One axial slice (82 of 301, counting up from the lowest) of a contrast-enhanced abdominal CT acquired with 120 kVp, kernel I40f; each pixel is 0.859 mm and the slice is 2.00 mm thick.
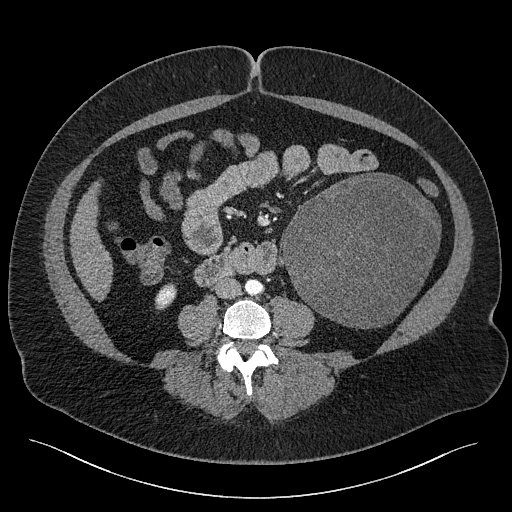
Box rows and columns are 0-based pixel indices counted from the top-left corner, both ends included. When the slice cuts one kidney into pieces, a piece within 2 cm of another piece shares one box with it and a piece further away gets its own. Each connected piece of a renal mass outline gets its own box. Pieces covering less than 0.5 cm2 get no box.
Two boxes on this slice (one kidney box and one renal mass box), listed by box centre from the image's left to its right. (1) Box rows 283–309, columns 155–176: right kidney (outlined area 417 px, about 3.1 cm2). (2) Box rows 172–328, columns 281–440: left renal mass (outlined area 18,524 px, about 136.8 cm2); on this slice it lies more than 1 cm from any kidney outline, but the same outlined renal mass comes within 1 cm of the kidney on another slice.